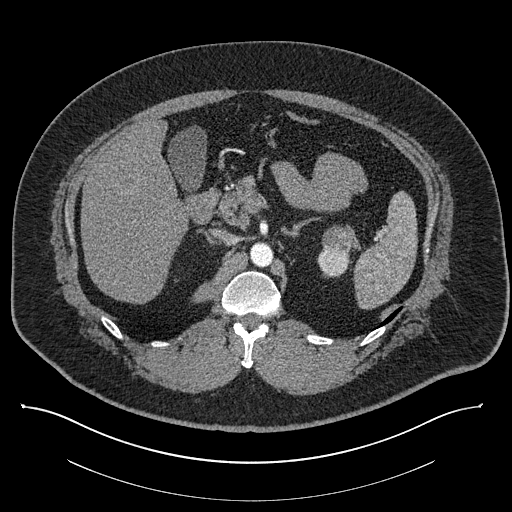
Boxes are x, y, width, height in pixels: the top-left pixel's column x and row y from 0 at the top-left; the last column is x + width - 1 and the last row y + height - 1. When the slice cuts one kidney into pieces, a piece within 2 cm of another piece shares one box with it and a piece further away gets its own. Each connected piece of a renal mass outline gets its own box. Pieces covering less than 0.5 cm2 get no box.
Contrast-enhanced abdominal CT, axial slice 557 of 787 (counted from the lowest slice); 1.00 mm thick, 0.910 mm per pixel. Boxed on this slice (one kidney box and one renal mass box), listed by box centre from the image's left to its right: (1) Left kidney at x 317, y 247, width 33, height 31 (outlined area 708 px, about 5.9 cm2). (2) Left renal mass, box x 321, y 225, width 34, height 29 (outlined area 720 px, about 6.0 cm2).
Scan settings: 140 kVp, I30f reconstruction kernel.